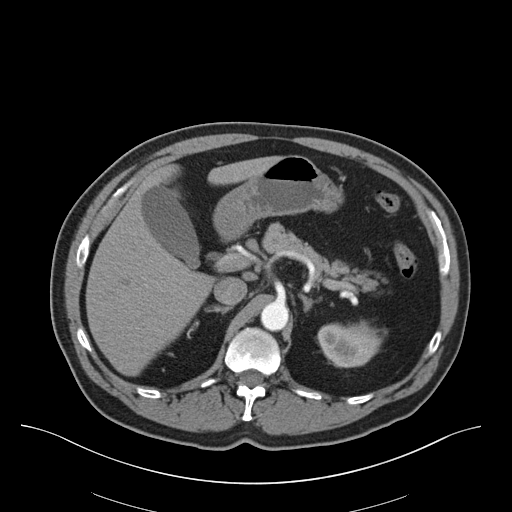
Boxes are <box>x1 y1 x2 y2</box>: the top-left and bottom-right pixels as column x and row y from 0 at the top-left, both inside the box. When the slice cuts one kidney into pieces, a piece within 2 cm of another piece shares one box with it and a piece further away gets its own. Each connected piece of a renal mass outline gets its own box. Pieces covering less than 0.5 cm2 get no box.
Contrast-enhanced abdominal CT, axial slice 46 of 75 (counted from the lowest slice); 3.00 mm thick, 0.875 mm per pixel. At <box>317 320 386 367</box>: left kidney (outlined area 2,388 px, about 18.3 cm2). This slice carries no renal mass outline.
Acquired at 140 kVp and reconstructed with the B30f kernel.